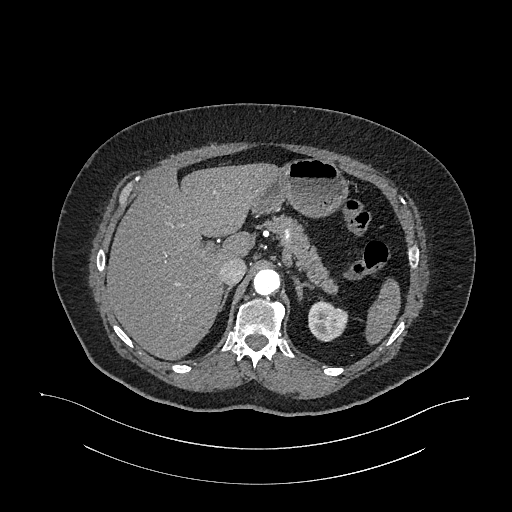
Axial slice 785 of 987 of a contrast-enhanced abdominal CT in the arterial phase (slice 1 is the lowest), 120 kVp, kernel I26f; 1.00 mm slice thickness and 0.977 mm pixels.
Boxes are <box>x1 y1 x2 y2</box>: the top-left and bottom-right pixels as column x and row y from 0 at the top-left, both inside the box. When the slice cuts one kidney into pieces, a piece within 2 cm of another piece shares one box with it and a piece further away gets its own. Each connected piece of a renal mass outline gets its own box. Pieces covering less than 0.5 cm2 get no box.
Left kidney: <box>308 300 348 341</box> (outlined area 1,259 px, about 12.0 cm2). No renal mass outline on this slice.